Axial slice 53 of 93 of a contrast-enhanced abdominal CT (slice 1 is the lowest), 120 kVp, kernel B30f; 5.00 mm slice thickness and 0.938 mm pixels.
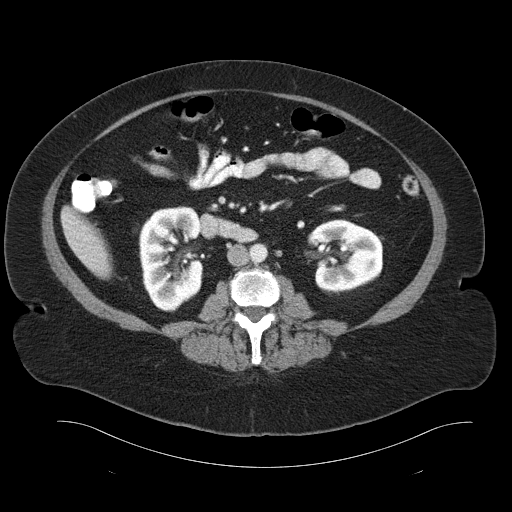
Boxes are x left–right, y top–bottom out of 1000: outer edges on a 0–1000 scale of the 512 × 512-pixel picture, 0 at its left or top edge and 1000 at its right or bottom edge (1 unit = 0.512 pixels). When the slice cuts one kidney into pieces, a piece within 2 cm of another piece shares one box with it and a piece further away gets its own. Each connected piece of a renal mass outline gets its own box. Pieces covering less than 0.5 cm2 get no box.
Two boxes on this slice (two kidney boxes), listed by box centre from the image's left to its right. (1) Right kidney at x 270–398, y 402–611 out of 1000 (outlined area 5,555 px, about 48.8 cm2). (2) Box x 600–750, y 428–576 out of 1000: left kidney (outlined area 4,400 px, about 38.7 cm2). This slice carries no renal mass outline.